Arterial-phase contrast-enhanced abdominal CT, axial slice 345 of 735 (counted from the lowest slice); tube voltage 120 kVp, convolution kernel I30f; slices 1.00 mm thick, 0.789 mm per pixel.
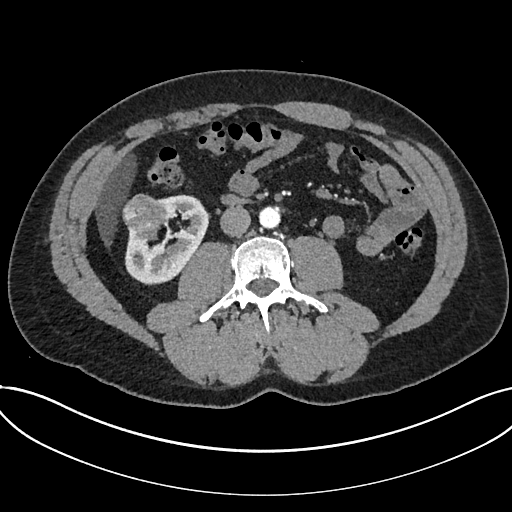
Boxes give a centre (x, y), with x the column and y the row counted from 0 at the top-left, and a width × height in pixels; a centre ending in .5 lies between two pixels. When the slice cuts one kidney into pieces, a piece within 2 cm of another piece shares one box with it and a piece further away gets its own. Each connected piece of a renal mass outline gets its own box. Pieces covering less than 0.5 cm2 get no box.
Boxed on this slice (one kidney box and one renal mass box), listed by box centre from the image's left to its right: (1) Renal mass in a box with centre (145, 216), 47 × 47 pixels (outlined area 1,553 px, about 9.7 cm2). (2) Box centre (166.5, 239.5), 84 × 92 pixels: kidney (outlined area 4,250 px, about 26.5 cm2).